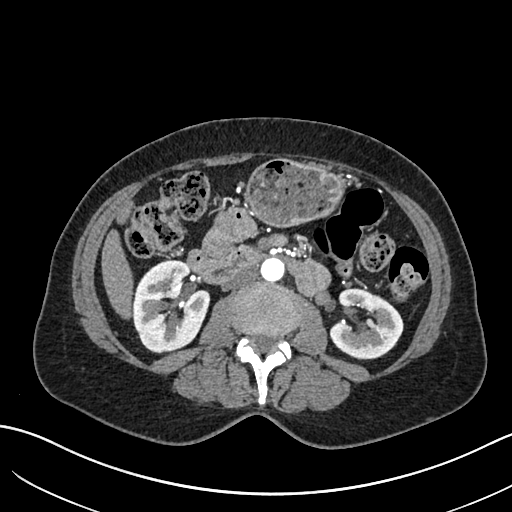
Arterial-phase contrast-enhanced abdominal CT, axial slice 346 of 683 (counted from the lowest slice); tube voltage 120 kVp, convolution kernel I30f; slices 1.00 mm thick, 0.738 mm per pixel.
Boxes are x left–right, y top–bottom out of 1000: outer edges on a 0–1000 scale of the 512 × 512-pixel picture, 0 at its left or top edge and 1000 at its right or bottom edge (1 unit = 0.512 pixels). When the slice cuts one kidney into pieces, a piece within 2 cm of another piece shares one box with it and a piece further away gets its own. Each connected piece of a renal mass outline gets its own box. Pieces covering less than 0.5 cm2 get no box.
Two kidney boxes on this slice; by box centre, from the image's left to its right: (1) Box x 258–412, y 506–689 out of 1000: right kidney (outlined area 5,473 px, about 29.8 cm2). (2) Left kidney, box x 641–789, y 563–703 out of 1000 (outlined area 3,747 px, about 20.4 cm2). This slice carries no renal mass outline.